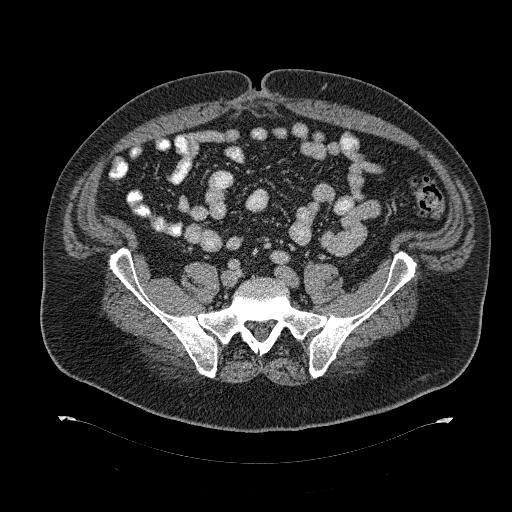
One axial slice (117 of 274, counting up from the lowest) of a contrast-enhanced abdominal CT acquired with 120 kVp, kernel B31f; each pixel is 0.977 mm and the slice is 2.00 mm thick.
This slice carries no outline: it lies beyond the outlined kidneys and beyond every outlined renal mass. Other organs are not outlined in this scan.